Arterial-phase contrast-enhanced abdominal CT, axial slice 273 of 581 (counted from the lowest slice); tube voltage 120 kVp, convolution kernel B30f; slices 1.00 mm thick, 0.713 mm per pixel.
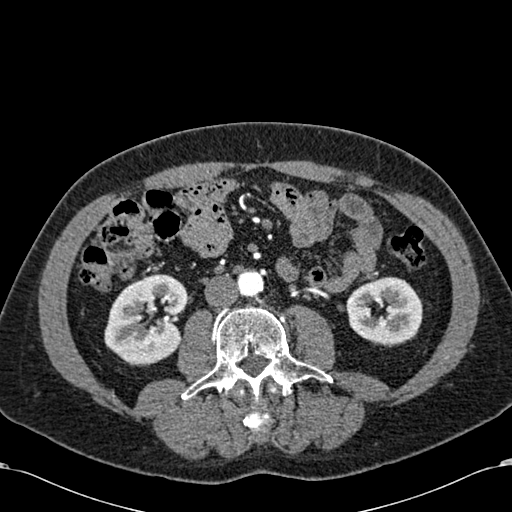
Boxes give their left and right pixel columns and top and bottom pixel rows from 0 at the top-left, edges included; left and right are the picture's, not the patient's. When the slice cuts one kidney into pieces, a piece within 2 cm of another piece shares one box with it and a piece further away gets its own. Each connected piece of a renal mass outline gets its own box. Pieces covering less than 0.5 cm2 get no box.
Two kidney boxes on this slice; by box centre, from the image's left to its right: (1) Right kidney, the box with left 104, top 273, right 187, bottom 363 (outlined area 5,595 px, about 28.4 cm2). (2) Box with left 346, top 276, right 422, bottom 346: left kidney (outlined area 4,067 px, about 20.7 cm2). This slice carries no renal mass outline.